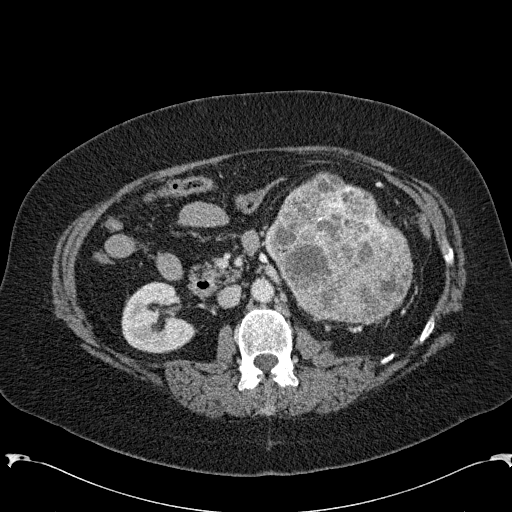
Arterial-phase contrast-enhanced abdominal CT, axial slice 124 of 285 (counted from the lowest slice); tube voltage 120 kVp, convolution kernel B31f; slices 2.00 mm thick, 0.762 mm per pixel.
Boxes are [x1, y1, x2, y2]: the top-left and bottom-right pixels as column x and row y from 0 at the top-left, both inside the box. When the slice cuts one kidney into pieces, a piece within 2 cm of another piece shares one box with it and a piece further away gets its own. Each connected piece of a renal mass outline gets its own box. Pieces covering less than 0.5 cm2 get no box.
Two boxes on this slice (one kidney box and one renal mass box), listed by box centre from the image's left to its right. (1) Right kidney, box [121, 281, 197, 353] (outlined area 3,901 px, about 22.6 cm2). (2) Box [263, 171, 413, 325]: left renal mass (outlined area 16,158 px, about 93.8 cm2); here it is more than 1 cm from any kidney outline, though on another slice the same outlined renal mass lies within 1 cm of the kidney.